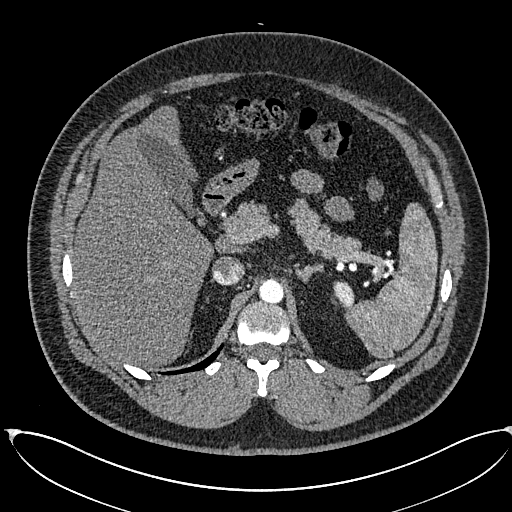
Arterial-phase contrast-enhanced abdominal CT, axial slice 436 of 673 (counted from the lowest slice); tube voltage 120 kVp, convolution kernel I30f; slices 1.00 mm thick, 0.855 mm per pixel.
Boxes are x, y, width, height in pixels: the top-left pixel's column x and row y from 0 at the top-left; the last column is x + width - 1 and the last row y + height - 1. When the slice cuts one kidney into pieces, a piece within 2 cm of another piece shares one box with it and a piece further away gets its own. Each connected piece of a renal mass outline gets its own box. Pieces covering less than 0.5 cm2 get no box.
Left kidney, box x 333, y 281, width 22, height 25 (outlined area 405 px, about 3.0 cm2). No renal mass outline on this slice.